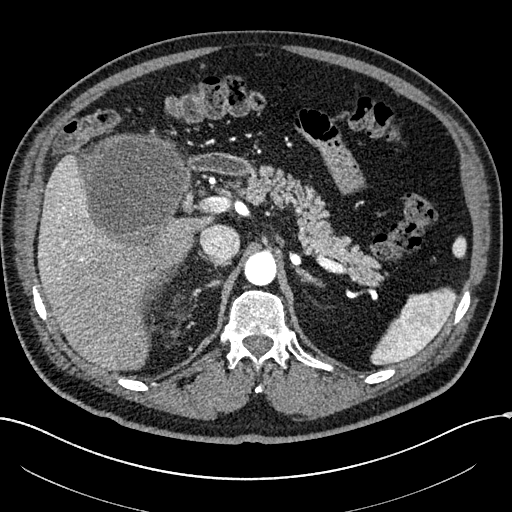
Abdominal CT with intravenous contrast, arterial phase, axial plane, 100 kVp, kernel I30f. Slice 173/304 from the bottom of the scan; thickness 2.00 mm; pixel size 0.809 mm.
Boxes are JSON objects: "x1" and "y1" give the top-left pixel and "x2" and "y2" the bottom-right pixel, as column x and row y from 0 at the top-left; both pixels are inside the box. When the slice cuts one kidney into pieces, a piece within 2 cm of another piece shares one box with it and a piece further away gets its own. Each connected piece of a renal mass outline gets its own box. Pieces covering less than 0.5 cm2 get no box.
Box {"x1": 76, "y1": 133, "x2": 191, "y2": 252}: right renal mass (outlined area 10,279 px, about 67.2 cm2); this slice has no kidney outline, though on another slice the same outlined renal mass lies within 1 cm of the kidney.